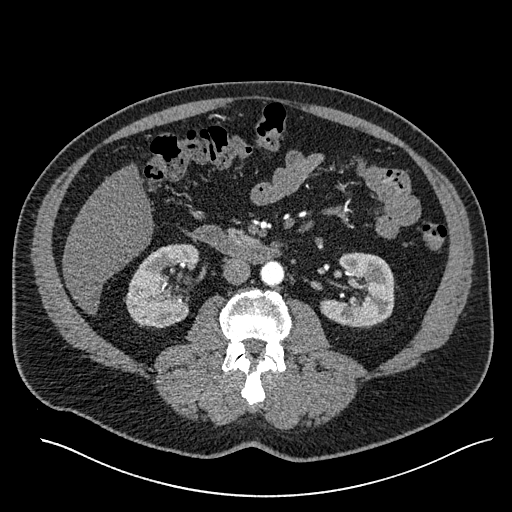
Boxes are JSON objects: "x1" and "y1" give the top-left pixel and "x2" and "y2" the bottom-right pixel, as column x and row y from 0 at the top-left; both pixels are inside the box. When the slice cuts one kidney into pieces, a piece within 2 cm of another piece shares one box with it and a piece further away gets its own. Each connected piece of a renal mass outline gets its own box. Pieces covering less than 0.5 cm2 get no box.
Slice 290/527 of a contrast-enhanced abdominal CT in the arterial phase, counting up from the lowest; pixel size 0.859 mm, slice thickness 1.00 mm. Boxed on this slice (two kidney boxes), listed by box centre from the image's left to its right: (1) Right kidney at {"x1": 124, "y1": 244, "x2": 199, "y2": 328} (outlined area 4,426 px, about 32.7 cm2). (2) Left kidney at {"x1": 319, "y1": 252, "x2": 394, "y2": 328} (outlined area 4,043 px, about 29.9 cm2). This slice carries no renal mass outline.
Scan settings: 120 kVp, I30f reconstruction kernel.